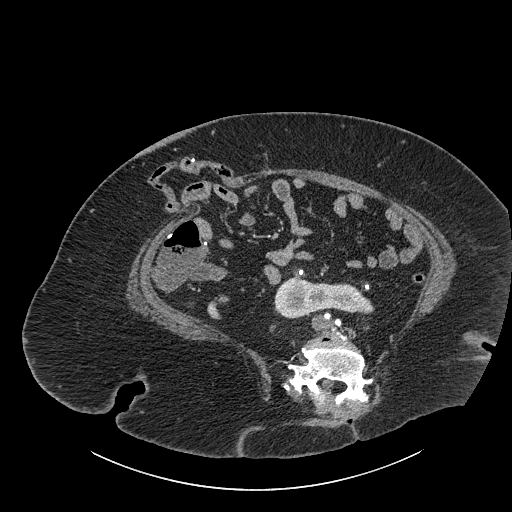
One axial slice (417 of 834, counting up from the lowest) of a contrast-enhanced abdominal CT acquired with 140 kVp, kernel I30f; each pixel is 0.977 mm and the slice is 1.00 mm thick.
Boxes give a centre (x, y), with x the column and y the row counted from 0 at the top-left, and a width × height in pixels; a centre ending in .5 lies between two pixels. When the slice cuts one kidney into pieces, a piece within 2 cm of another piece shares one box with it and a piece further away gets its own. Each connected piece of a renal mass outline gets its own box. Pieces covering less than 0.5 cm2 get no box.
Box centre (324, 297), 101 × 43 pixels: kidney crossing the body midline (outlined area 2,891 px, about 27.6 cm2). No renal mass is outlined on this slice.